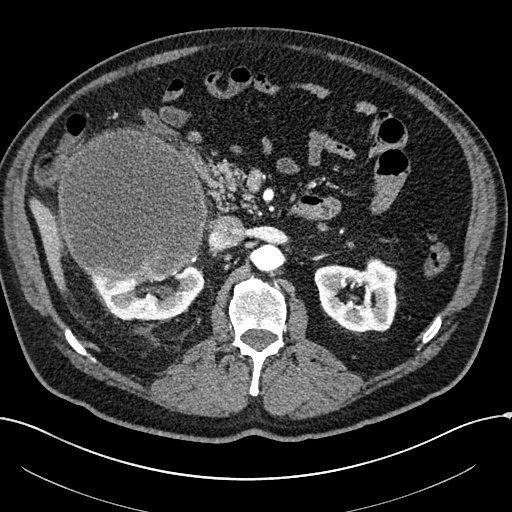
One axial slice (130 of 304, counting up from the lowest) of an arterial-phase abdominal CT acquired with 100 kVp, kernel I30f; each pixel is 0.809 mm and the slice is 2.00 mm thick.
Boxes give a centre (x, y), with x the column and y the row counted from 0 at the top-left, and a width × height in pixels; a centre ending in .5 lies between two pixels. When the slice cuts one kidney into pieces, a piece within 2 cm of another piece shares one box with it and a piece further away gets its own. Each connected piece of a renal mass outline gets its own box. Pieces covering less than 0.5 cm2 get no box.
Two kidney boxes and one renal mass box on this slice; by box centre, from the image's left to its right: (1) Right renal mass, box centre (133, 205), 153 × 157 pixels (outlined area 18,667 px, about 122.0 cm2). (2) Right kidney, box centre (147, 292), 115 × 57 pixels (outlined area 3,783 px, about 24.7 cm2). (3) Left kidney, box centre (356, 296), 85 × 79 pixels (outlined area 4,654 px, about 30.4 cm2).